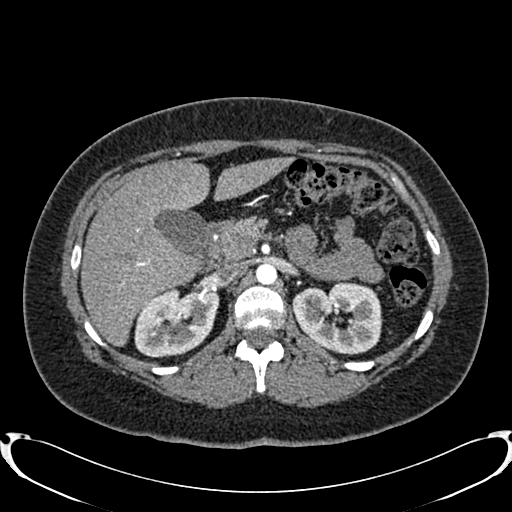
Arterial-phase contrast-enhanced abdominal CT, axial slice 529 of 719 (counted from the lowest slice); tube voltage 120 kVp, convolution kernel B20f; slices 1.00 mm thick, 0.766 mm per pixel.
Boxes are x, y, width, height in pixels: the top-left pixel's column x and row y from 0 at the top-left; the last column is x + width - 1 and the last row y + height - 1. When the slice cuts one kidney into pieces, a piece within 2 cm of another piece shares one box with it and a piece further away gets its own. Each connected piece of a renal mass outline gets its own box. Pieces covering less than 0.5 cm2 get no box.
Boxed on this slice (two kidney boxes), listed by box centre from the image's left to its right: (1) Box x 134, y 287, width 85, height 70: right kidney (outlined area 4,554 px, about 26.7 cm2). (2) Left kidney at x 291, y 281, width 92, height 74 (outlined area 4,952 px, about 29.0 cm2). No renal mass is outlined on this slice.